One axial slice (69 of 79, counting up from the lowest) of an arterial-phase abdominal CT acquired with 120 kVp, kernel FC11; each pixel is 0.686 mm and the slice is 5.00 mm thick.
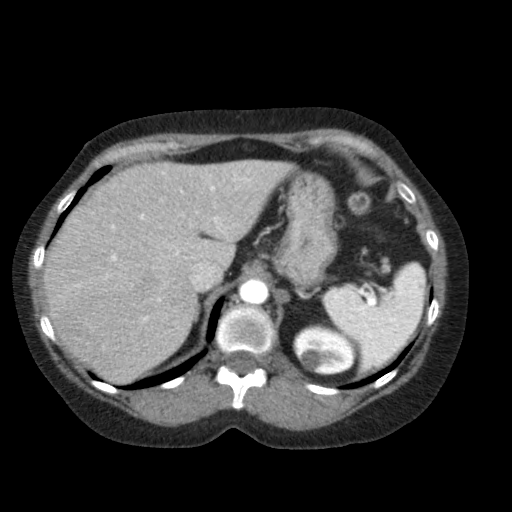
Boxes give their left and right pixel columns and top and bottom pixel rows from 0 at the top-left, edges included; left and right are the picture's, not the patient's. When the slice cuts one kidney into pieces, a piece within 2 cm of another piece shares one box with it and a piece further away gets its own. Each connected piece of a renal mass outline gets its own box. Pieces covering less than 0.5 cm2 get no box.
One kidney box and one renal mass box on this slice; by box centre, from the image's left to its right: (1) Left renal mass in the box with left 300, top 349, right 320, bottom 370 (outlined area 332 px, about 1.6 cm2). (2) Left kidney in the box with left 293, top 324, right 354, bottom 375 (outlined area 2,071 px, about 9.7 cm2).